Arterial-phase contrast-enhanced abdominal CT, axial slice 130 of 164 (counted from the lowest slice); tube voltage 130 kVp, convolution kernel B30s; slices 3.00 mm thick, 0.664 mm per pixel.
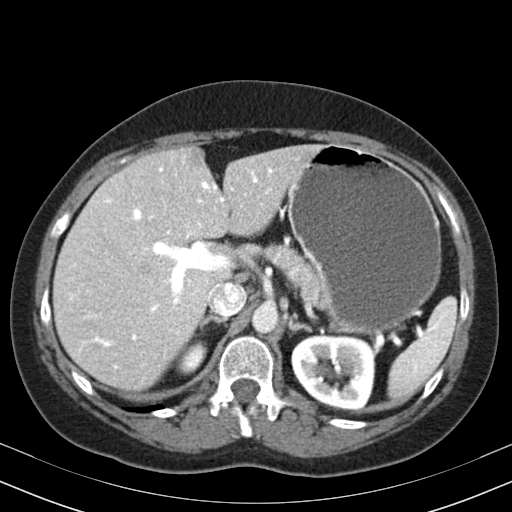
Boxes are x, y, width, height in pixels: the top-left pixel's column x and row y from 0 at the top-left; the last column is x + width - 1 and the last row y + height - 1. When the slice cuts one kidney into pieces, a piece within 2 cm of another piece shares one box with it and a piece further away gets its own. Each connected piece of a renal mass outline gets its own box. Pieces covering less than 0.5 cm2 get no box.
Boxed on this slice (two kidney boxes), listed by box centre from the image's left to its right: (1) Box x 175, y 339, width 33, height 36: right kidney (outlined area 751 px, about 3.3 cm2). (2) Box x 291, y 333, width 85, height 76: left kidney (outlined area 5,196 px, about 22.9 cm2). No renal mass is outlined on this slice.